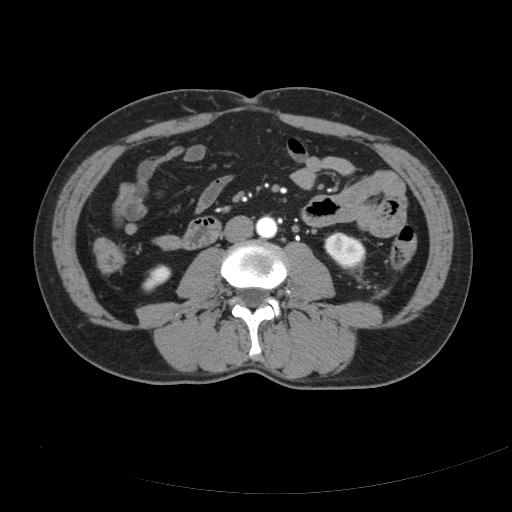
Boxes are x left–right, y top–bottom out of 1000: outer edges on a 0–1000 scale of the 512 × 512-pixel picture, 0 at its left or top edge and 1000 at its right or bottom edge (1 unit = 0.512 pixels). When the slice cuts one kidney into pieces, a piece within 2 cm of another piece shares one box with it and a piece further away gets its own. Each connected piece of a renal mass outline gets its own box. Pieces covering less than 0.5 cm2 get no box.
This is axial slice 92 of 178 (slice 1 is the lowest) of an abdominal CT with contrast; each pixel is 0.818 mm and the slice is 3.00 mm thick. Two boxes on this slice (two kidney boxes), listed by box centre from the image's left to its right. (1) Box x 277–336, y 516–572 out of 1000: right kidney (outlined area 498 px, about 3.3 cm2). (2) Left kidney, box x 633–717, y 451–525 out of 1000 (outlined area 1,148 px, about 7.7 cm2). No renal mass outline on this slice.
Scan settings: 120 kVp, B reconstruction kernel.